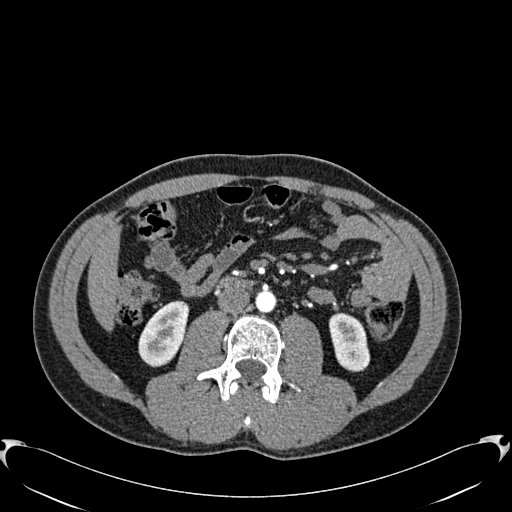
Abdominal CT with intravenous contrast, arterial phase, axial plane, 120 kVp, kernel B30f. Slice 290/512 from the bottom of the scan; thickness 1.00 mm; pixel size 0.771 mm.
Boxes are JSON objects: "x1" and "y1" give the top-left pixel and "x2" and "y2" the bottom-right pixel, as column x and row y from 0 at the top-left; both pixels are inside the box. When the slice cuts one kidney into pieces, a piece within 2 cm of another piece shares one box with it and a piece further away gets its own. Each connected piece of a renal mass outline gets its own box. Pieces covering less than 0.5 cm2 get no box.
Two kidney boxes on this slice; by box centre, from the image's left to its right: (1) Right kidney, box {"x1": 138, "y1": 300, "x2": 189, "y2": 367} (outlined area 2,353 px, about 14.0 cm2). (2) Left kidney, box {"x1": 329, "y1": 312, "x2": 370, "y2": 371} (outlined area 1,856 px, about 11.0 cm2). No renal mass outline on this slice.